Axial slice 257 of 470 of a contrast-enhanced abdominal CT in the arterial phase (slice 1 is the lowest), 120 kVp, kernel I26f; 1.00 mm slice thickness and 0.938 mm pixels.
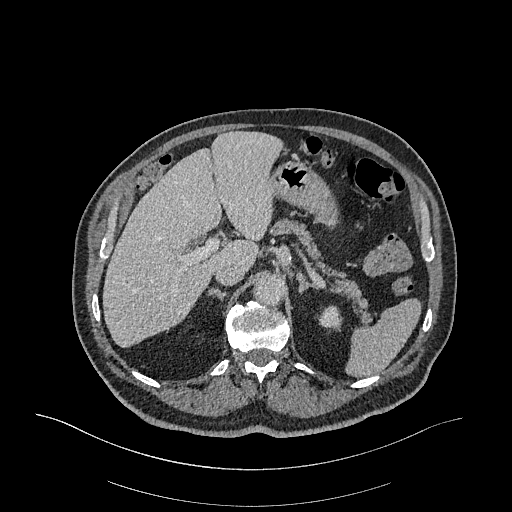
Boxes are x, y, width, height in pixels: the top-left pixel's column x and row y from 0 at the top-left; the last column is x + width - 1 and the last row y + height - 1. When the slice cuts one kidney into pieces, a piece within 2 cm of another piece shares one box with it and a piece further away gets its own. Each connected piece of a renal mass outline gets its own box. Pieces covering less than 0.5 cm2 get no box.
Box x 316, y 305, width 27, height 27: left kidney (outlined area 480 px, about 4.2 cm2). This slice carries no renal mass outline.